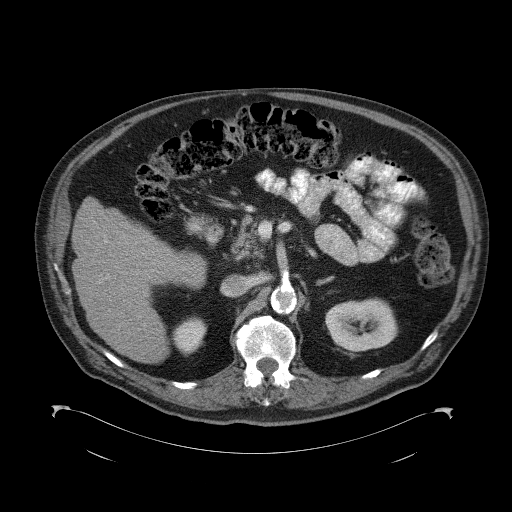
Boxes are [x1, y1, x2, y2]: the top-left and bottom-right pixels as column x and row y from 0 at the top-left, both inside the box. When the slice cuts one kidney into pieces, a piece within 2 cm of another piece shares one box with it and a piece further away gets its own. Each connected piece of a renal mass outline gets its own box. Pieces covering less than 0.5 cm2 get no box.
Contrast-enhanced abdominal CT, axial slice 65 of 98 (counted from the lowest slice); 5.00 mm thick, 0.965 mm per pixel. Two kidney boxes on this slice; by box centre, from the image's left to its right: (1) Right kidney at [171, 316, 206, 355] (outlined area 965 px, about 9.0 cm2). (2) Left kidney, box [325, 297, 397, 351] (outlined area 3,097 px, about 28.8 cm2). No renal mass outline on this slice.
Tube voltage 120 kVp; convolution kernel B41f.